Abdominal CT with intravenous contrast, arterial phase, axial plane, 120 kVp, kernel FC11. Slice 71/79 from the bottom of the scan; thickness 5.00 mm; pixel size 0.686 mm.
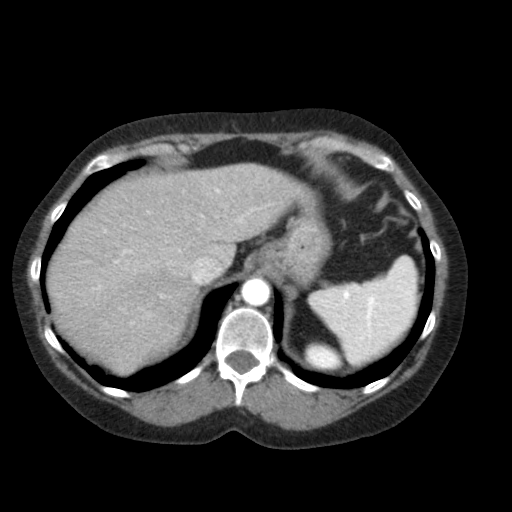
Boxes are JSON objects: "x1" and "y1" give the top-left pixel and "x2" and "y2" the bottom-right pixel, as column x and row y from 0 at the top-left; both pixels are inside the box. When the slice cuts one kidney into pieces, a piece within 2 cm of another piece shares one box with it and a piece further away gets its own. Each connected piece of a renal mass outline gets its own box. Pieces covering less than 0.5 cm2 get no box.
Left kidney at {"x1": 303, "y1": 341, "x2": 343, "y2": 369} (outlined area 843 px, about 4.0 cm2). No renal mass outline on this slice.